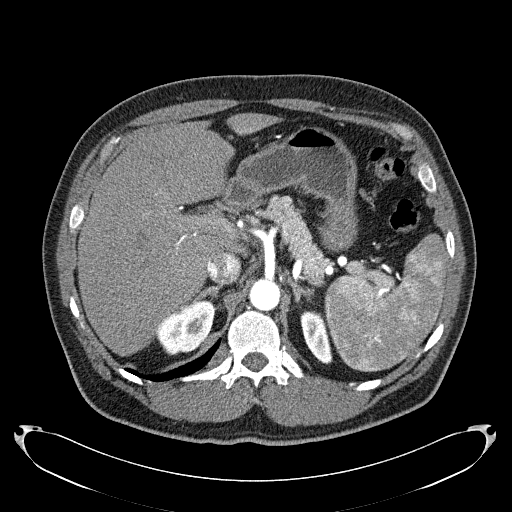
Axial slice 167 of 279 of a contrast-enhanced abdominal CT in the arterial phase (slice 1 is the lowest), 120 kVp, kernel B31f; 2.00 mm slice thickness and 0.824 mm pixels.
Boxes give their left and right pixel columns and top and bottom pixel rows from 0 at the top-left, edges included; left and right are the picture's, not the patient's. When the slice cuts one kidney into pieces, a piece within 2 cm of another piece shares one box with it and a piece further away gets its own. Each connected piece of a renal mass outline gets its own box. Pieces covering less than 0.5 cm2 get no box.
Two kidney boxes on this slice; by box centre, from the image's left to its right: (1) Box with left 155, top 299, right 216, bottom 354: right kidney (outlined area 2,248 px, about 15.3 cm2). (2) Box with left 300, top 310, right 332, bottom 364: left kidney (outlined area 1,154 px, about 7.8 cm2). No renal mass outline on this slice.